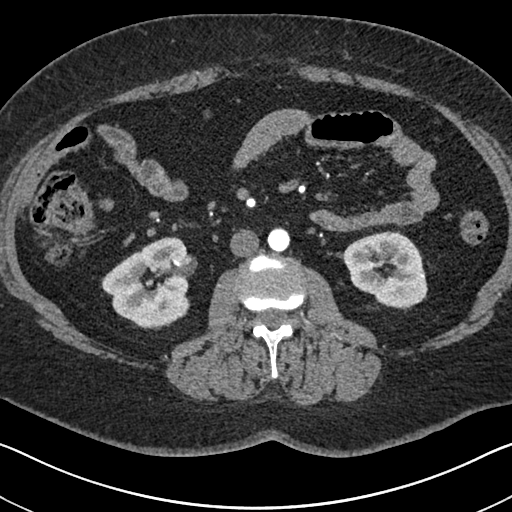
Arterial-phase contrast-enhanced abdominal CT, axial slice 350 of 591 (counted from the lowest slice); tube voltage 140 kVp, convolution kernel I30f; slices 1.00 mm thick, 0.703 mm per pixel.
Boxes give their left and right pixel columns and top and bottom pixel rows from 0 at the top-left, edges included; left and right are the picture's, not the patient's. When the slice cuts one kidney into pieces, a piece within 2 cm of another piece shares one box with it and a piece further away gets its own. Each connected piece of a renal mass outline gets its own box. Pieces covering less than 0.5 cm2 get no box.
Two kidney boxes on this slice; by box centre, from the image's left to its right: (1) Right kidney, the box with left 101, top 237, right 190, bottom 329 (outlined area 5,806 px, about 28.7 cm2). (2) Box with left 343, top 231, right 426, bottom 308: left kidney (outlined area 4,785 px, about 23.7 cm2). No renal mass outline on this slice.